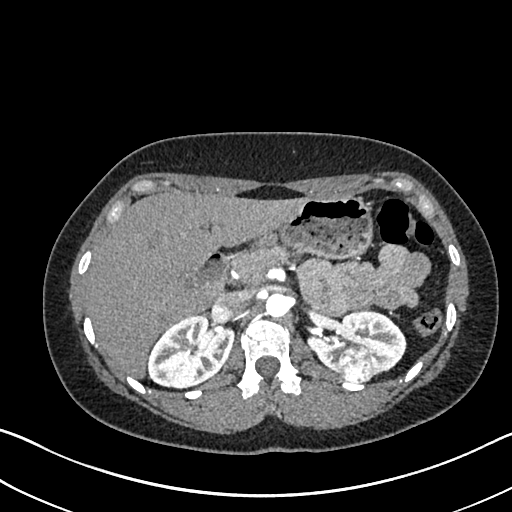
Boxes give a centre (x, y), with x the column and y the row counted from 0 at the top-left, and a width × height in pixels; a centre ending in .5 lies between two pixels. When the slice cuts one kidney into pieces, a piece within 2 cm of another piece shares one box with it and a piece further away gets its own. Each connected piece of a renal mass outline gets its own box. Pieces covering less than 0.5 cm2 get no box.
This is axial slice 468 of 612 (slice 1 is the lowest) of an arterial-phase abdominal CT with contrast; each pixel is 0.703 mm and the slice is 1.00 mm thick. Three boxes on this slice (two kidney boxes and one renal mass box), listed by box centre from the image's left to its right. (1) Box centre (190.5, 352), 88 × 75 pixels: right kidney (outlined area 4,652 px, about 23.0 cm2). (2) Left renal mass, box centre (354.5, 364), 36 × 35 pixels (outlined area 1,020 px, about 5.0 cm2). (3) Left kidney in a box with centre (357, 343.5), 99 × 68 pixels (outlined area 3,983 px, about 19.7 cm2).
Tube voltage 120 kVp; convolution kernel I30f.